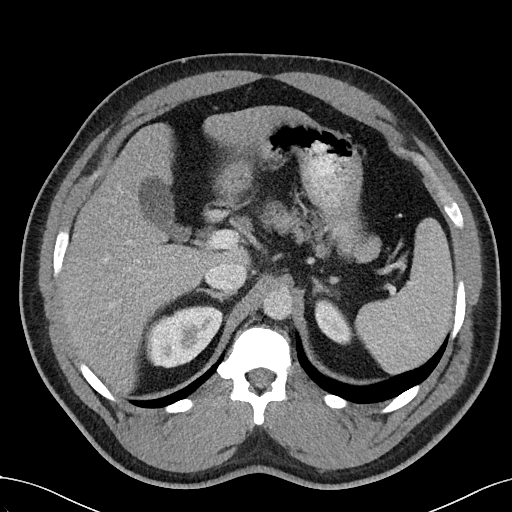
Abdominal CT with intravenous contrast, arterial phase, axial plane, 100 kVp, kernel I40f. Slice 77/102 from the bottom of the scan; thickness 5.00 mm; pixel size 0.781 mm.
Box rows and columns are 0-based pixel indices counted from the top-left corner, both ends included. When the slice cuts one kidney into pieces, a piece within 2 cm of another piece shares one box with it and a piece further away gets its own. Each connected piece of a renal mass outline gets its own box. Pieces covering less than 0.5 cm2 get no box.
Boxed on this slice (two kidney boxes), listed by box centre from the image's left to its right: (1) Right kidney, box rows 305–368, columns 143–225 (outlined area 3,518 px, about 21.5 cm2). (2) Box rows 298–344, columns 315–353: left kidney (outlined area 1,172 px, about 7.2 cm2). This slice carries no renal mass outline.